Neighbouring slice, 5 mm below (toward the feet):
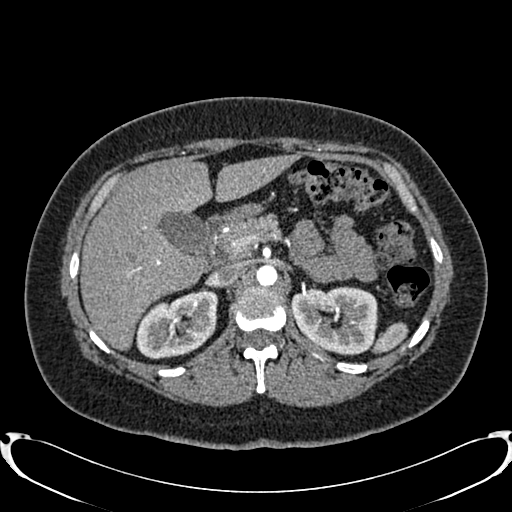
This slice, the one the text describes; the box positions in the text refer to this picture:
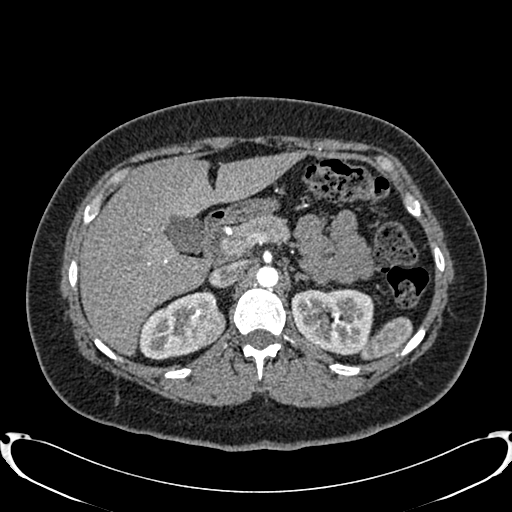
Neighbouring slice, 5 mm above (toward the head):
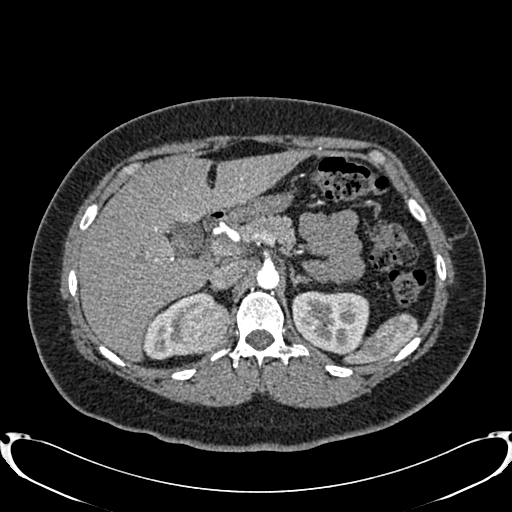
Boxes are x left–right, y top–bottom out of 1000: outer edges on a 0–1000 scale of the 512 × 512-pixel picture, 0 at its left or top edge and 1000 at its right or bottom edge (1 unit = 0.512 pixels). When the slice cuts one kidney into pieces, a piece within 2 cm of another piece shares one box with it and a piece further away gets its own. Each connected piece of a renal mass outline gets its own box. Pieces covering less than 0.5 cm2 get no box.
This is axial slice 549 of 719 (slice 1 is the lowest) of an arterial-phase abdominal CT with contrast; each pixel is 0.766 mm and the slice is 1.00 mm thick. Boxed on this slice (two kidney boxes and one renal mass box), listed by box centre from the image's left to its right: (1) Right kidney, box x 268–428, y 564–703 out of 1000 (outlined area 3,046 px, about 17.9 cm2). (2) Box x 359–441, y 602–678 out of 1000: right renal mass (outlined area 1,225 px, about 7.2 cm2). (3) Left kidney at x 568–730, y 563–695 out of 1000 (outlined area 4,432 px, about 26.0 cm2). This slice lies near the end of the right renal mass toward the feet; the slices 5 mm below and 5 mm above it are shown too, and the boxes mark positions on this slice only.
Acquired at 120 kVp and reconstructed with the B20f kernel.